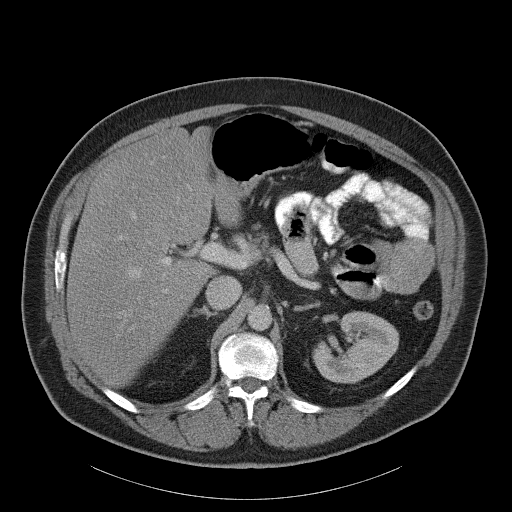
Abdominal CT with intravenous contrast, axial plane, 120 kVp, kernel B31f. Slice 74/107 from the bottom of the scan; thickness 5.00 mm; pixel size 0.941 mm.
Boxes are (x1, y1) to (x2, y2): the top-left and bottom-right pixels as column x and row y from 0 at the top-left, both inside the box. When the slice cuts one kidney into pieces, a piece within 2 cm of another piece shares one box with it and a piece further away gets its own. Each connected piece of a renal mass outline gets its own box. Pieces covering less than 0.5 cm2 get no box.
Box (312, 311) to (399, 383): left kidney (outlined area 4,269 px, about 37.8 cm2). This slice carries no renal mass outline.